One axial slice (102 of 261, counting up from the lowest) of an arterial-phase abdominal CT acquired with 120 kVp, kernel I30f; each pixel is 0.939 mm and the slice is 2.00 mm thick.
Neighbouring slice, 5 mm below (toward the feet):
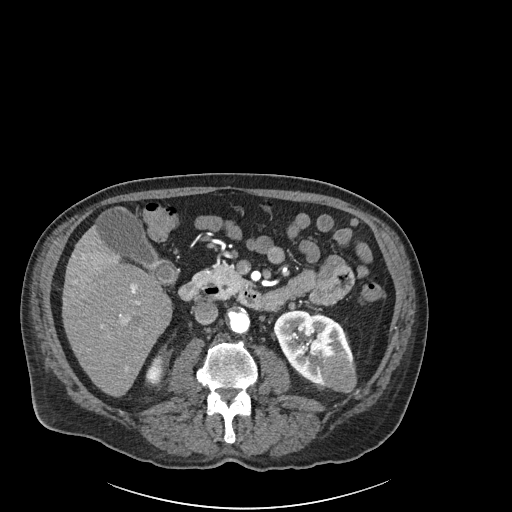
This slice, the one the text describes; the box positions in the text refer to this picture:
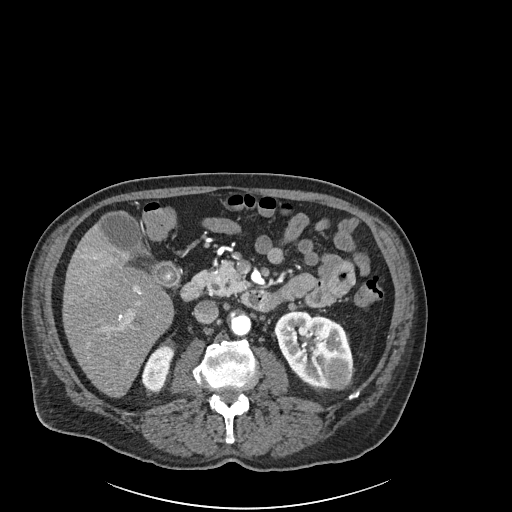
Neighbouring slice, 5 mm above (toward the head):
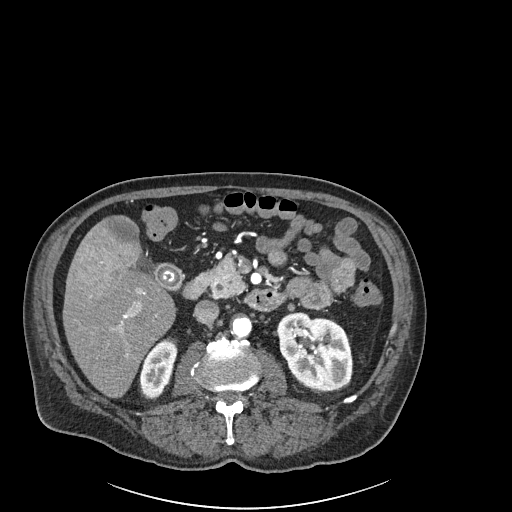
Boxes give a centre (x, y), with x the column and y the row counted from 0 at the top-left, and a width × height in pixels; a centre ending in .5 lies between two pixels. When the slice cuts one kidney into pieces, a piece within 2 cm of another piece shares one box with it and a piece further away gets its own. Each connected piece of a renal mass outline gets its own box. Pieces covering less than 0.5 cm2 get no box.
Three boxes on this slice (two kidney boxes and one renal mass box), listed by box centre from the image's left to its right. (1) Right kidney, box centre (157, 367.5), 33 × 46 pixels (outlined area 992 px, about 8.8 cm2). (2) Left kidney, box centre (313, 350), 79 × 79 pixels (outlined area 4,124 px, about 36.4 cm2). (3) Left renal mass in a box with centre (338, 373), 23 × 27 pixels (outlined area 464 px, about 4.1 cm2). This slice is near the end of the left renal mass toward the head, so the slices 5 mm below and 5 mm above it are shown as well; the boxes refer to this slice only.